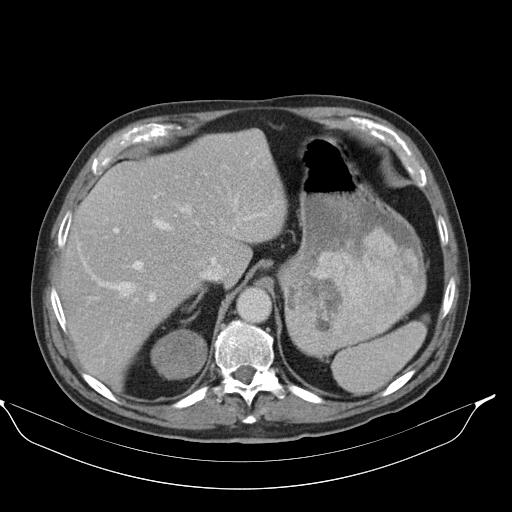
One axial slice (76 of 98, counting up from the lowest) of a contrast-enhanced abdominal CT acquired with 130 kVp, kernel B30s; each pixel is 0.840 mm and the slice is 5.00 mm thick.
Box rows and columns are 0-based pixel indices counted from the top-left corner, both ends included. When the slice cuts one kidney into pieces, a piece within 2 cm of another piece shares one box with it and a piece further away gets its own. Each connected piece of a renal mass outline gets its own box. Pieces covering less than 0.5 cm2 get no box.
Right renal mass at rows 328–379, columns 150–206 (outlined area 2,229 px, about 15.7 cm2); no kidney is outlined on this slice, but the same outlined renal mass comes within 1 cm of the kidney on another slice.